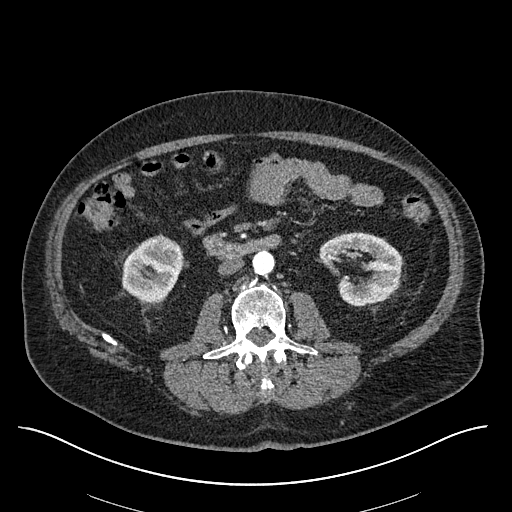
Arterial-phase contrast-enhanced abdominal CT, axial slice 282 of 670 (counted from the lowest slice); tube voltage 120 kVp, convolution kernel I30f; slices 1.00 mm thick, 0.861 mm per pixel.
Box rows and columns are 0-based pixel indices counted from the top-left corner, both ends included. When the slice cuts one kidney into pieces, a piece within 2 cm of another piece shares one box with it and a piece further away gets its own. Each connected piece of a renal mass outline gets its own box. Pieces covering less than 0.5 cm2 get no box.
Two boxes on this slice (two kidney boxes), listed by box centre from the image's left to its right. (1) Right kidney, box rows 234–302, columns 121–184 (outlined area 3,189 px, about 23.7 cm2). (2) Left kidney, box rows 232–305, columns 318–401 (outlined area 4,123 px, about 30.6 cm2). No renal mass is outlined on this slice.